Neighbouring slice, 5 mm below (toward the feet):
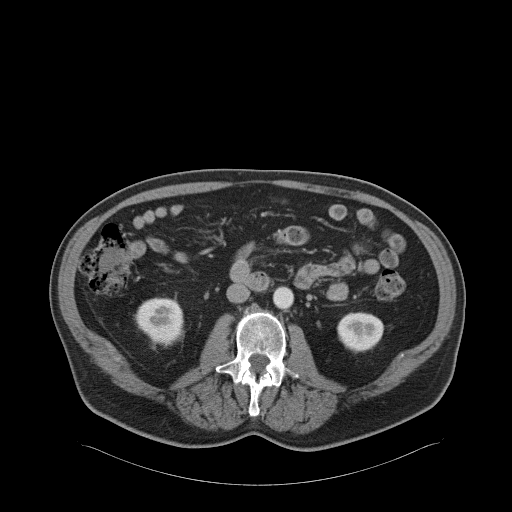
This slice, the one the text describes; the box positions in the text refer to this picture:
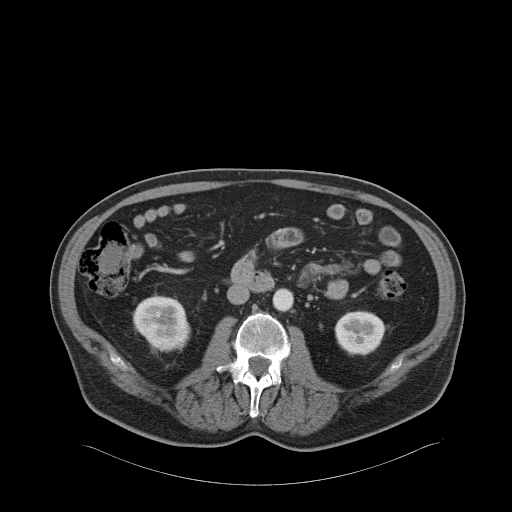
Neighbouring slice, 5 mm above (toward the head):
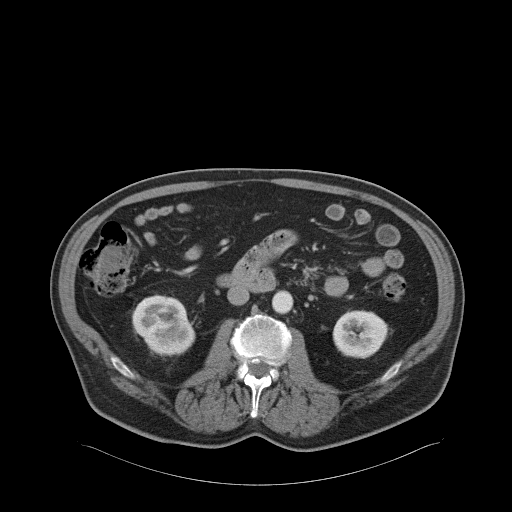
Arterial-phase contrast-enhanced abdominal CT, axial slice 24 of 68 (counted from the lowest slice); tube voltage 120 kVp, convolution kernel B31f; slices 5.00 mm thick, 0.961 mm per pixel.
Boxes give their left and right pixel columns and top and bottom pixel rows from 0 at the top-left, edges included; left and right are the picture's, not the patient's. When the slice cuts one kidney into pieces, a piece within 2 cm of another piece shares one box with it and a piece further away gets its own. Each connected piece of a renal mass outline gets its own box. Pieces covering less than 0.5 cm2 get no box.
Three boxes on this slice (two kidney boxes and one renal mass box), listed by box centre from the image's left to its right. (1) Box with left 151, top 322, right 163, bottom 329: right renal mass (outlined area 73 px, about 0.7 cm2). (2) Box with left 132, top 294, right 190, bottom 352: right kidney (outlined area 2,434 px, about 22.5 cm2). (3) Box with left 334, top 310, right 385, bottom 355: left kidney (outlined area 1,821 px, about 16.8 cm2). This slice lies near the end of the right renal mass toward the feet; the slices 5 mm below and 5 mm above it are shown too, and the boxes mark positions on this slice only.